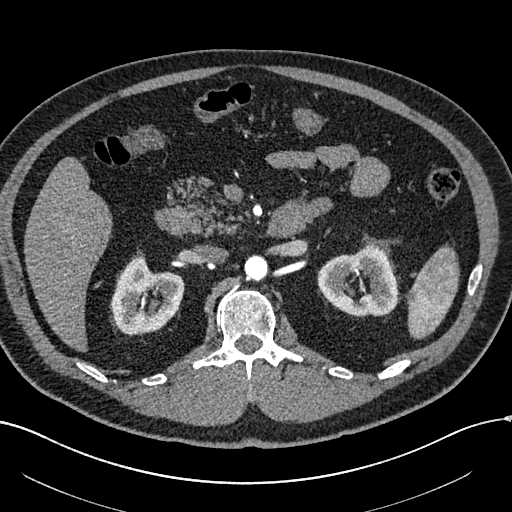
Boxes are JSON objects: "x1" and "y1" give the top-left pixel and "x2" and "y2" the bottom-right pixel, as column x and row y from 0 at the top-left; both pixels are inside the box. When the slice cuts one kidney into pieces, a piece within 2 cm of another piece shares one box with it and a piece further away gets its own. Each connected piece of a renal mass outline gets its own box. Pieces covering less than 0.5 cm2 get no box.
Slice 375/602 of a contrast-enhanced abdominal CT in the arterial phase, counting up from the lowest; pixel size 0.799 mm, slice thickness 1.00 mm. Boxed on this slice (two kidney boxes), listed by box centre from the image's left to its right: (1) Box {"x1": 111, "y1": 254, "x2": 184, "y2": 334}: right kidney (outlined area 4,054 px, about 25.9 cm2). (2) Left kidney at {"x1": 317, "y1": 244, "x2": 397, "y2": 317} (outlined area 4,231 px, about 27.0 cm2). No renal mass outline on this slice.
Scan settings: 120 kVp, I30f reconstruction kernel.